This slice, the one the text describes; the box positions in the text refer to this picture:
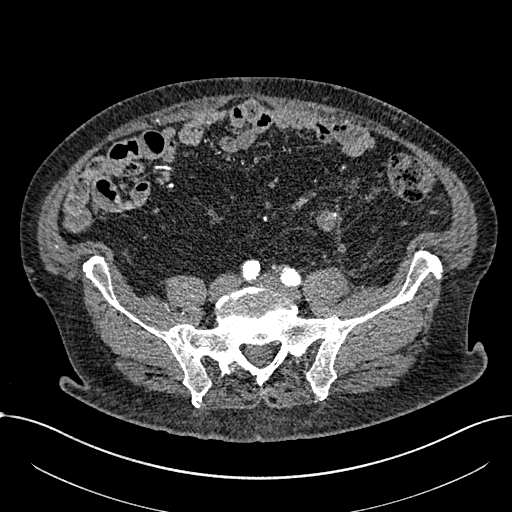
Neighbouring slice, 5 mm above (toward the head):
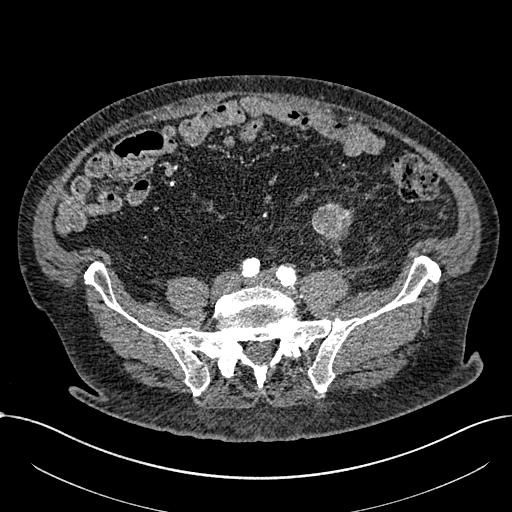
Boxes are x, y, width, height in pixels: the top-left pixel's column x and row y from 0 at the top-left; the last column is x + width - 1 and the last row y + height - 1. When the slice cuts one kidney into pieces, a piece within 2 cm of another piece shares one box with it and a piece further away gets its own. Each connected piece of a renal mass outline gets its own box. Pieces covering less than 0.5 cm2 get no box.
Slice 153/1059 of a contrast-enhanced abdominal CT in the arterial phase, counting up from the lowest; pixel size 0.811 mm, slice thickness 1.00 mm. Renal mass at x 316, y 210, width 24, height 23 (outlined area 406 px, about 2.7 cm2); this slice has no kidney outline, though on another slice the same outlined renal mass lies within 1 cm of the kidney. This slice is near the end of a renal mass toward the feet, so the slice 5 mm above it is shown as well; the boxes refer to this slice only.
Scan settings: 100 kVp, I30f reconstruction kernel.